One axial slice (576 of 735, counting up from the lowest) of an arterial-phase abdominal CT acquired with 120 kVp, kernel I30f; each pixel is 0.789 mm and the slice is 1.00 mm thick.
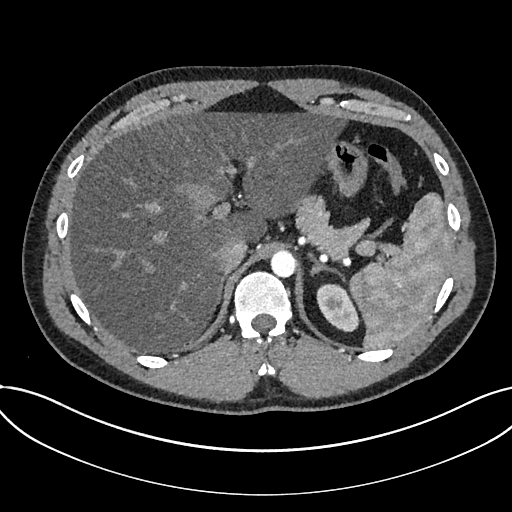
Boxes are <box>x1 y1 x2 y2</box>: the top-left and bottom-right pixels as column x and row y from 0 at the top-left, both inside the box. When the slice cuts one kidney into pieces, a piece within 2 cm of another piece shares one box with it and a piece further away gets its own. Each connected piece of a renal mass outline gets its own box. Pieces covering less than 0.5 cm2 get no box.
Kidney: <box>316 283 359 332</box> (outlined area 1,460 px, about 9.1 cm2). No renal mass is outlined on this slice.